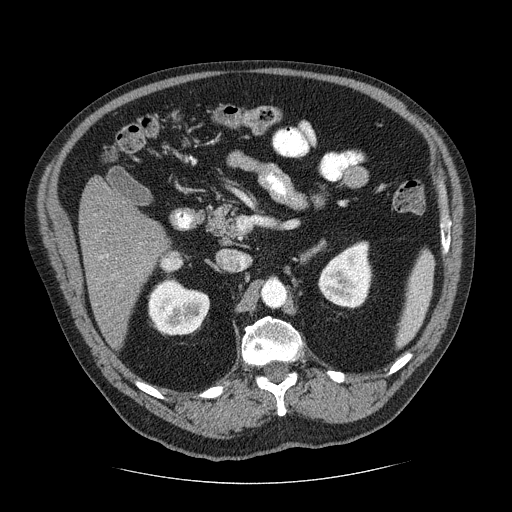
Contrast-enhanced abdominal CT, axial slice 144 of 206 (counted from the lowest slice); tube voltage 120 kVp, convolution kernel STANDARD; slices 2.50 mm thick, 0.879 mm per pixel.
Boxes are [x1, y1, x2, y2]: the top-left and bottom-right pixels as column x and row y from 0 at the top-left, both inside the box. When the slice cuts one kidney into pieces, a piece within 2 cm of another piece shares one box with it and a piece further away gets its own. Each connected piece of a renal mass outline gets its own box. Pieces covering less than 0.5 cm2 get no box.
Three boxes on this slice (two kidney boxes and one renal mass box), listed by box centre from the image's left to its right. (1) Right renal mass, box [158, 249, 184, 272] (outlined area 464 px, about 3.6 cm2). (2) Box [147, 278, 210, 335]: right kidney (outlined area 2,762 px, about 21.3 cm2). (3) Left kidney at [317, 240, 373, 309] (outlined area 2,692 px, about 20.8 cm2).